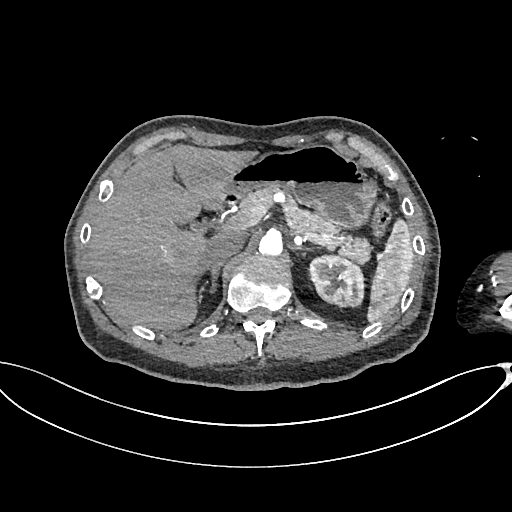
One axial slice (482 of 665, counting up from the lowest) of an arterial-phase abdominal CT acquired with 100 kVp, kernel I26f; each pixel is 0.828 mm and the slice is 1.00 mm thick.
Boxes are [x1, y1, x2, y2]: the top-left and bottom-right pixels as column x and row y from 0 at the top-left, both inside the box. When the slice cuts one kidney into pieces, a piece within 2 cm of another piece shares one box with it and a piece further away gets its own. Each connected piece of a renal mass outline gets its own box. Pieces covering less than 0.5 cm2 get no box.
Left kidney, box [307, 253, 366, 309] (outlined area 2,409 px, about 16.5 cm2). This slice carries no renal mass outline.